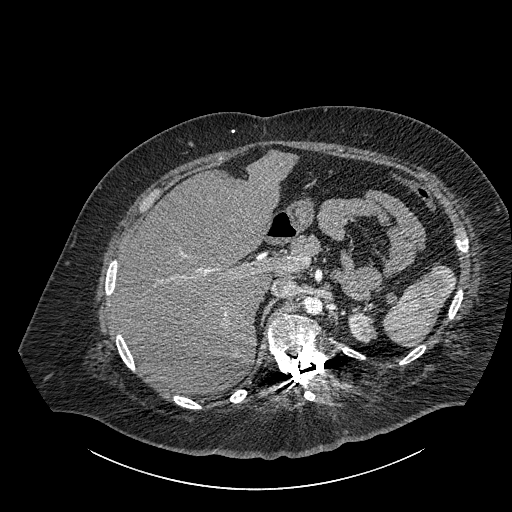
Axial slice 639 of 834 of a contrast-enhanced abdominal CT (slice 1 is the lowest), 140 kVp, kernel I30f; 1.00 mm slice thickness and 0.977 mm pixels.
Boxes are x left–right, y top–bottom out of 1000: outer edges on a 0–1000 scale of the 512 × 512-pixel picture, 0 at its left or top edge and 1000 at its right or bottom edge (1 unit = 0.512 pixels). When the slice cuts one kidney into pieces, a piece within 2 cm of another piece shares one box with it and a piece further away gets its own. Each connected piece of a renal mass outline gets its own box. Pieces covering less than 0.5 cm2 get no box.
Box x 680–738, y 607–672 out of 1000: left part of the midline-crossing kidney (outlined area 699 px, about 6.7 cm2). No renal mass is outlined on this slice.